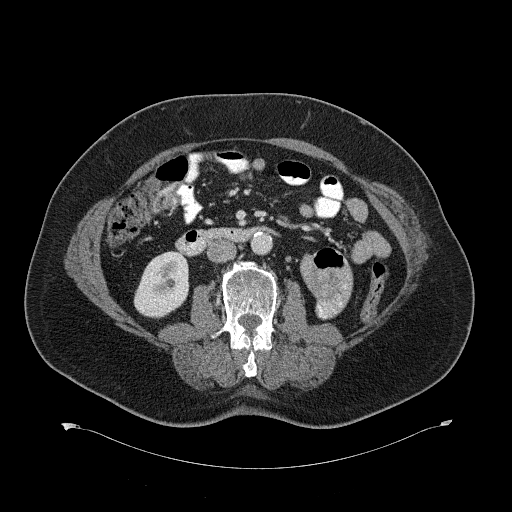
Abdominal CT with intravenous contrast, axial plane, 120 kVp, kernel B31f. Slice 328/734 from the bottom of the scan; thickness 2.00 mm; pixel size 0.971 mm.
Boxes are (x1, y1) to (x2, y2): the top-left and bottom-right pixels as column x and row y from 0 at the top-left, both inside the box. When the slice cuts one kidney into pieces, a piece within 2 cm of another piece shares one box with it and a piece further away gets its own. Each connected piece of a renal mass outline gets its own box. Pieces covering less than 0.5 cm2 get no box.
Right kidney from (133, 251) to (189, 316) (outlined area 2,816 px, about 26.5 cm2). No renal mass outline on this slice.